Arterial-phase contrast-enhanced abdominal CT, axial slice 98 of 262 (counted from the lowest slice); tube voltage 120 kVp, convolution kernel STANDARD; slices 2.50 mm thick, 0.703 mm per pixel.
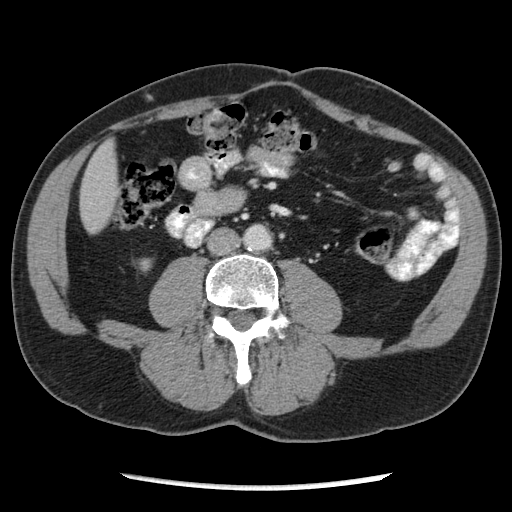
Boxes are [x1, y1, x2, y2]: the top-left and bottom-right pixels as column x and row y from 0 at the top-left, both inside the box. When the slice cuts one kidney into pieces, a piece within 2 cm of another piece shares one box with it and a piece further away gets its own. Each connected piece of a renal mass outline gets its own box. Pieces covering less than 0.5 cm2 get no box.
Right kidney, box [132, 258, 153, 273] (outlined area 226 px, about 1.1 cm2). No renal mass is outlined on this slice.